Arterial-phase contrast-enhanced abdominal CT, axial slice 54 of 88 (counted from the lowest slice); tube voltage 120 kVp, convolution kernel B41f; slices 5.00 mm thick, 0.723 mm per pixel.
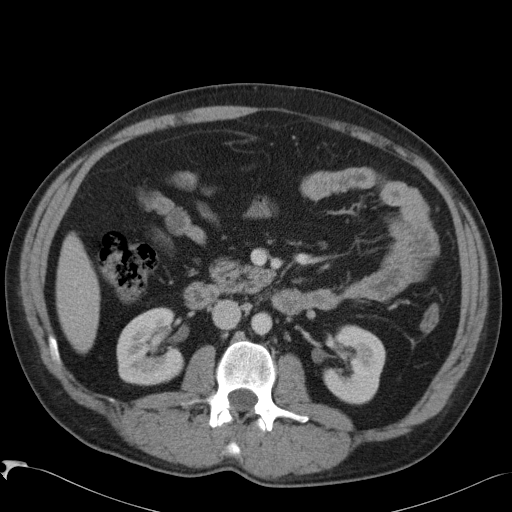
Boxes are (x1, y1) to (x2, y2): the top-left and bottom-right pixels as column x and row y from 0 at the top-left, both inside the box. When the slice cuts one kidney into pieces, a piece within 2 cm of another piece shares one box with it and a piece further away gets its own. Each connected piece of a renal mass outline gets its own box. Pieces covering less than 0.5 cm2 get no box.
Two boxes on this slice (two kidney boxes), listed by box centre from the image's left to its right. (1) Right kidney from (116, 307) to (183, 385) (outlined area 4,195 px, about 21.9 cm2). (2) Left kidney, box (322, 325) to (385, 404) (outlined area 3,578 px, about 18.7 cm2). This slice carries no renal mass outline.